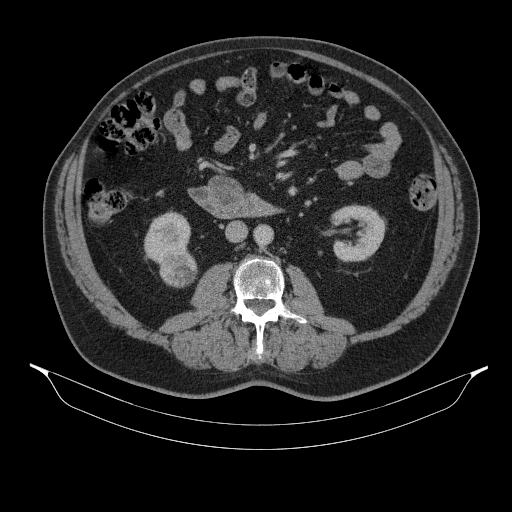
Axial slice 181 of 314 of a contrast-enhanced abdominal CT (slice 1 is the lowest), 130 kVp, kernel B31s; 2.50 mm slice thickness and 0.934 mm pixels.
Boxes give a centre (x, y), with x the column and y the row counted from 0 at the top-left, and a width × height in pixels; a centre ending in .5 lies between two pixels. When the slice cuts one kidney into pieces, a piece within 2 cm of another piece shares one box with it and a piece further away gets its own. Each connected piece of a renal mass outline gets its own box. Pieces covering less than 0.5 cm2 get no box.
Boxed on this slice (two kidney boxes and one renal mass box), listed by box centre from the image's left to its right: (1) Box centre (167, 237), 47 × 53 pixels: right kidney (outlined area 1,630 px, about 14.2 cm2). (2) Box centre (177.5, 267), 40 × 41 pixels: right renal mass (outlined area 1,259 px, about 11.0 cm2). (3) Left kidney in a box with centre (357, 233), 55 × 59 pixels (outlined area 2,319 px, about 20.2 cm2).